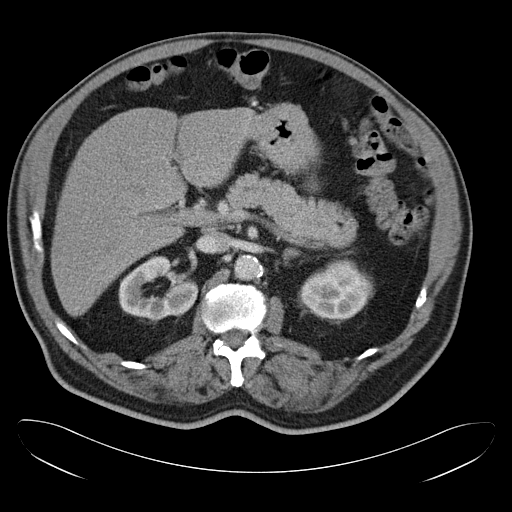
One axial slice (24 of 34, counting up from the lowest) of an arterial-phase abdominal CT acquired with 120 kVp, kernel B30f; each pixel is 0.830 mm and the slice is 5.00 mm thick.
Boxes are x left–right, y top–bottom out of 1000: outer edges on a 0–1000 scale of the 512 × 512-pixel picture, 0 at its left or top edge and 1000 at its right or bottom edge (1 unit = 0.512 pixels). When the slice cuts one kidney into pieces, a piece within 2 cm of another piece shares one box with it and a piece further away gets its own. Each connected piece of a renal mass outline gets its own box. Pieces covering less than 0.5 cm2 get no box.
Two boxes on this slice (two kidney boxes), listed by box centre from the image's left to its right. (1) Right kidney, box x 230–389, y 500–631 out of 1000 (outlined area 3,394 px, about 23.4 cm2). (2) Left kidney at x 582–730, y 504–625 out of 1000 (outlined area 3,262 px, about 22.5 cm2). No renal mass outline on this slice.